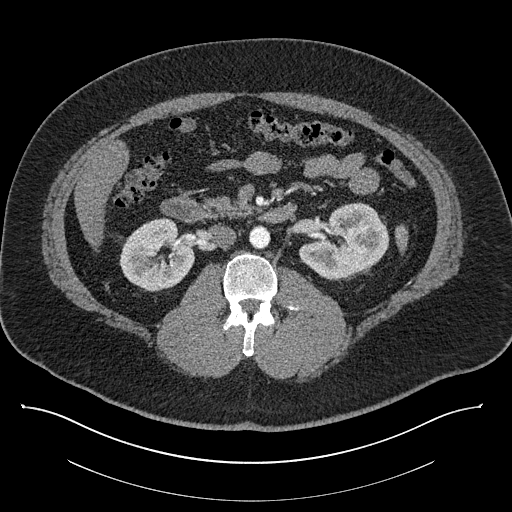
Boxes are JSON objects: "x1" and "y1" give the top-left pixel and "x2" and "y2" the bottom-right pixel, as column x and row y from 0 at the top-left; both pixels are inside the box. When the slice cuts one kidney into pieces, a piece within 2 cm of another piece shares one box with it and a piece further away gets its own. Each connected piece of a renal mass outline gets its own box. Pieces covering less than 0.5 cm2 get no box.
Contrast-enhanced abdominal CT, axial slice 481 of 787 (counted from the lowest slice); 1.00 mm thick, 0.910 mm per pixel. Two boxes on this slice (two kidney boxes), listed by box centre from the image's left to its right. (1) Right kidney at {"x1": 119, "y1": 217, "x2": 194, "y2": 291} (outlined area 4,056 px, about 33.6 cm2). (2) Left kidney at {"x1": 299, "y1": 202, "x2": 389, "y2": 279} (outlined area 4,848 px, about 40.2 cm2). No renal mass outline on this slice.
Tube voltage 140 kVp; convolution kernel I30f.